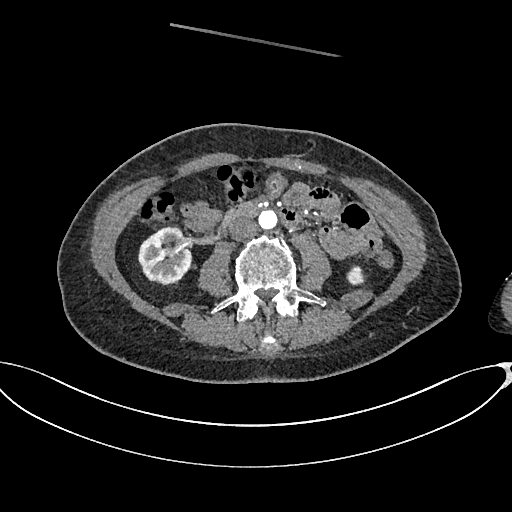
Axial slice 310 of 665 of a contrast-enhanced abdominal CT in the arterial phase (slice 1 is the lowest), 100 kVp, kernel I26f; 1.00 mm slice thickness and 0.828 mm pixels.
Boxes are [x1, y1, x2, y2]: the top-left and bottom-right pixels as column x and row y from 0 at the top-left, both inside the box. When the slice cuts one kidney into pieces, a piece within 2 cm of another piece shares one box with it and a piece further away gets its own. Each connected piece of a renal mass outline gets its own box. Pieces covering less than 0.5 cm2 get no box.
Boxed on this slice (two kidney boxes), listed by box centre from the image's left to its right: (1) Right kidney at [138, 226, 192, 285] (outlined area 2,409 px, about 16.5 cm2). (2) Box [346, 264, 366, 285]: left kidney (outlined area 315 px, about 2.2 cm2). No renal mass is outlined on this slice.